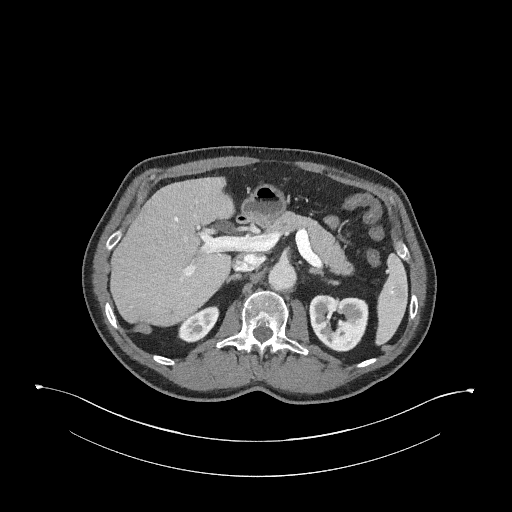
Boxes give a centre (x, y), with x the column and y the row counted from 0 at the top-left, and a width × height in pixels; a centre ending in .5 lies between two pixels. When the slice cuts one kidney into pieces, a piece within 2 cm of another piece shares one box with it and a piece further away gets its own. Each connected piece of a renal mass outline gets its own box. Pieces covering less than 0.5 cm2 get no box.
Slice 171/345 of a contrast-enhanced abdominal CT in the arterial phase, counting up from the lowest; pixel size 0.977 mm, slice thickness 2.00 mm. Boxed on this slice (two kidney boxes), listed by box centre from the image's left to its right: (1) Right kidney in a box with centre (198.5, 323.5), 42 × 38 pixels (outlined area 1,024 px, about 9.8 cm2). (2) Box centre (338, 322.5), 61 × 60 pixels: left kidney (outlined area 2,738 px, about 26.1 cm2). No renal mass is outlined on this slice.
Acquired at 120 kVp and reconstructed with the I31f kernel.